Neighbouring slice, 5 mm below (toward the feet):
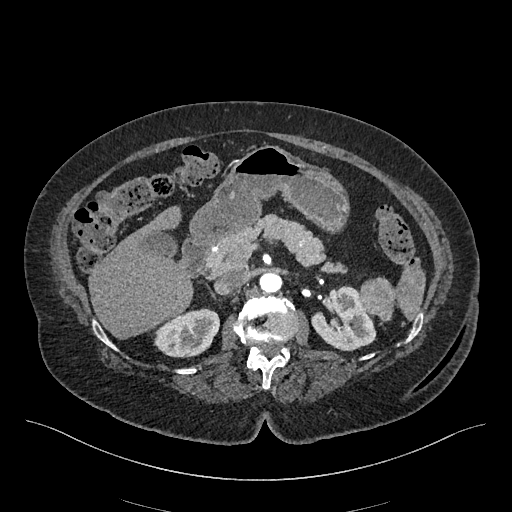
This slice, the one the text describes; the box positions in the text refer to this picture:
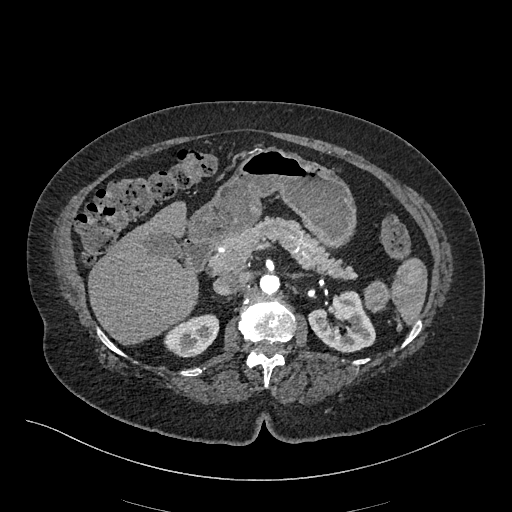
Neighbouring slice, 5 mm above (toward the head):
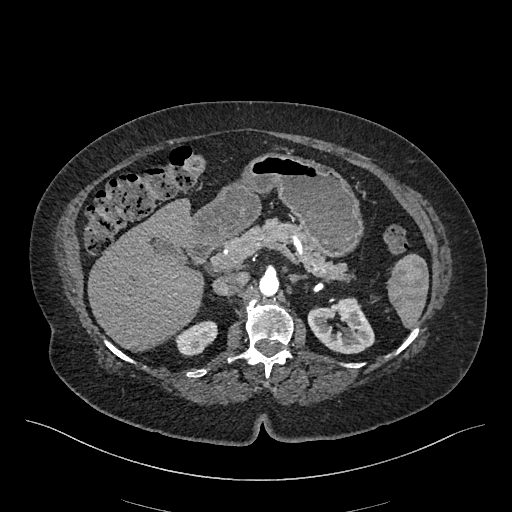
Arterial-phase contrast-enhanced abdominal CT, axial slice 298 of 548 (counted from the lowest slice); tube voltage 120 kVp, convolution kernel I26f; slices 1.00 mm thick, 0.852 mm per pixel.
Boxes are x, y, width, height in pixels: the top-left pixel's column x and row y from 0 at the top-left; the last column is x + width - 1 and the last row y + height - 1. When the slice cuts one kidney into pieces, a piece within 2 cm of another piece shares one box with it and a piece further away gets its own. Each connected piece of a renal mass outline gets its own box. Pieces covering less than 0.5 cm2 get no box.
Three boxes on this slice (two kidney boxes and one renal mass box), listed by box centre from the image's left to its right. (1) Right kidney at x 164, y 314, width 56, height 44 (outlined area 1,730 px, about 12.5 cm2). (2) Left kidney, box x 308, y 290, width 68, height 63 (outlined area 2,817 px, about 20.4 cm2). (3) Box x 364, y 280, width 26, height 33: left renal mass (outlined area 642 px, about 4.7 cm2). This slice is near the end of the left renal mass toward the head, so the slices 5 mm below and 5 mm above it are shown as well; the boxes refer to this slice only.